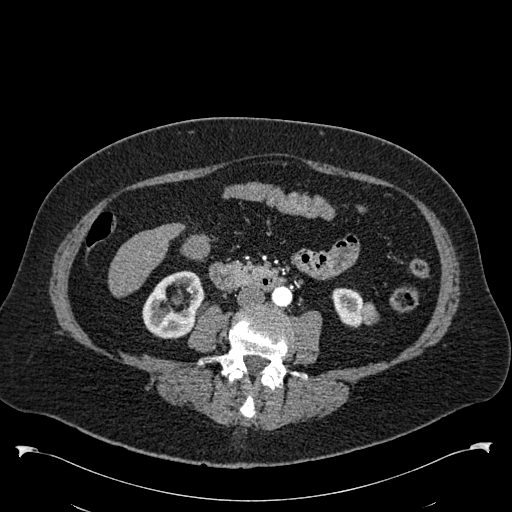
One axial slice (243 of 538, counting up from the lowest) of an arterial-phase abdominal CT acquired with 120 kVp, kernel B30f; each pixel is 0.811 mm and the slice is 1.00 mm thick.
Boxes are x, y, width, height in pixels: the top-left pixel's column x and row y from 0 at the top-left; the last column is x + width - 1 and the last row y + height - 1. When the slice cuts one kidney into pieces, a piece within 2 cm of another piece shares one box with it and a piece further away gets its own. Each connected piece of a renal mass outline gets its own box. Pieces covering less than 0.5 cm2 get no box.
Two kidney boxes and one renal mass box on this slice; by box centre, from the image's left to its right: (1) Box x 142, y 270, width 63, height 69: right kidney (outlined area 2,878 px, about 18.9 cm2). (2) Left kidney at x 331, y 288, width 32, height 40 (outlined area 963 px, about 6.3 cm2). (3) Box x 361, y 301, width 18, height 25: left renal mass (outlined area 323 px, about 2.1 cm2).